Arterial-phase contrast-enhanced abdominal CT, axial slice 445 of 512 (counted from the lowest slice); tube voltage 120 kVp, convolution kernel B30f; slices 1.00 mm thick, 0.771 mm per pixel.
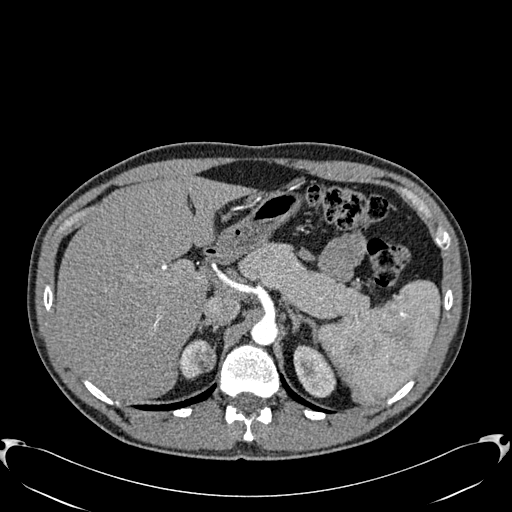
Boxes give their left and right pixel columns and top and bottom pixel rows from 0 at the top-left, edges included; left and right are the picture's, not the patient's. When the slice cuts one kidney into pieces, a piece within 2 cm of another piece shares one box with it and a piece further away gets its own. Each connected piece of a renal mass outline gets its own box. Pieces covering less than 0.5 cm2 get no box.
Boxed on this slice (two kidney boxes and one renal mass box), listed by box centre from the image's left to its right: (1) Right kidney, the box with left 179, top 341, right 202, bottom 378 (outlined area 473 px, about 2.8 cm2). (2) Right renal mass, the box with left 192, top 340, right 215, bottom 372 (outlined area 600 px, about 3.6 cm2). (3) Left kidney, the box with left 293, top 345, right 336, bottom 397 (outlined area 1,626 px, about 9.7 cm2).